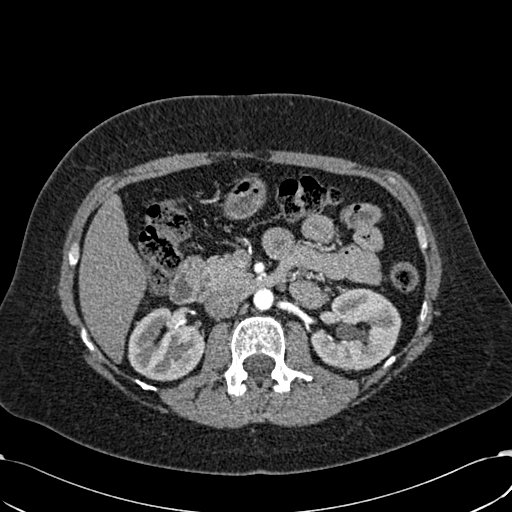
One axial slice (366 of 532, counting up from the lowest) of an arterial-phase abdominal CT acquired with 120 kVp, kernel B30f; each pixel is 0.713 mm and the slice is 1.00 mm thick.
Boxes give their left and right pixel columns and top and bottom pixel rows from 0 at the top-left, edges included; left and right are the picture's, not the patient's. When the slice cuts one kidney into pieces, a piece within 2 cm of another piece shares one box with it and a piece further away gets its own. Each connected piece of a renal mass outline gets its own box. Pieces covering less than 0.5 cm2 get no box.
Boxed on this slice (two kidney boxes), listed by box centre from the image's left to its right: (1) Right kidney, the box with left 128, top 307, right 204, bottom 381 (outlined area 4,237 px, about 21.5 cm2). (2) Left kidney, the box with left 310, top 288, right 401, bottom 370 (outlined area 5,323 px, about 27.1 cm2). This slice carries no renal mass outline.